Arterial-phase contrast-enhanced abdominal CT, axial slice 465 of 738 (counted from the lowest slice); tube voltage 120 kVp, convolution kernel I30f; slices 1.00 mm thick, 0.789 mm per pixel.
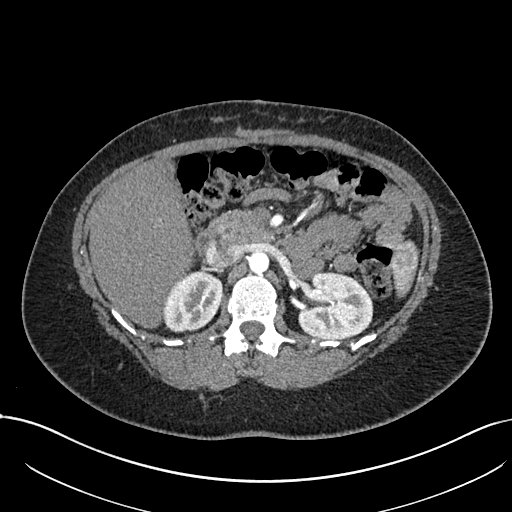
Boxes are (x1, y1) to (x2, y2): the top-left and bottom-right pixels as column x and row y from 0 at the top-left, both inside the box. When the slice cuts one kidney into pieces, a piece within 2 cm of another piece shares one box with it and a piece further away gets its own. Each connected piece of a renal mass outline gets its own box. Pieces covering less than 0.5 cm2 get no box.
Two boxes on this slice (two kidney boxes), listed by box centre from the image's left to its right. (1) Box (163, 271) to (223, 332): right kidney (outlined area 2,822 px, about 17.6 cm2). (2) Left kidney from (298, 271) to (373, 339) (outlined area 4,079 px, about 25.4 cm2). No renal mass outline on this slice.